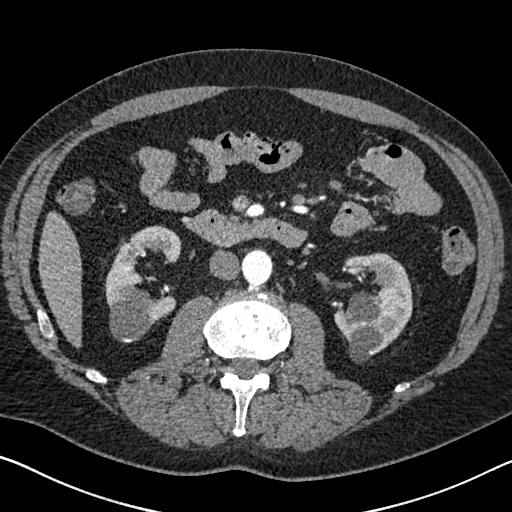
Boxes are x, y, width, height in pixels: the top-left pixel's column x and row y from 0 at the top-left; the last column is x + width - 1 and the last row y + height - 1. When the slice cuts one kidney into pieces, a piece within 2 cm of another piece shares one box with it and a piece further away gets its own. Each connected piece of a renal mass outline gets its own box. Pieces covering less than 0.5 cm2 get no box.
This is axial slice 355 of 626 (slice 1 is the lowest) of an arterial-phase abdominal CT with contrast; each pixel is 0.703 mm and the slice is 1.00 mm thick. Boxed on this slice (two kidney boxes), listed by box centre from the image's left to its right: (1) Right kidney at x 105, y 225, width 77, height 117 (outlined area 5,349 px, about 26.4 cm2). (2) Left kidney, box x 333, y 252, width 80, height 111 (outlined area 5,657 px, about 28.0 cm2).
Acquired at 120 kVp and reconstructed with the I30f kernel.